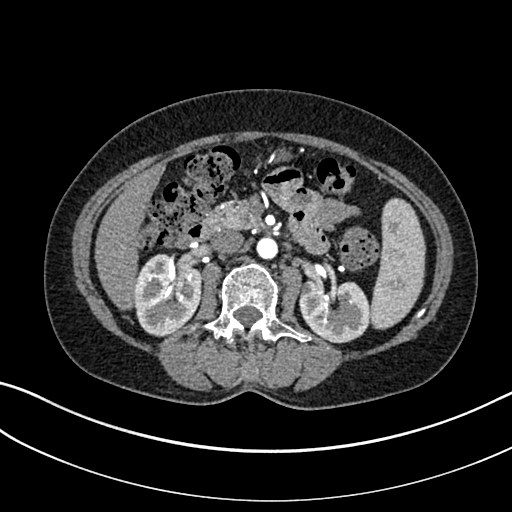
One axial slice (165 of 325, counting up from the lowest) of an arterial-phase abdominal CT acquired with 100 kVp, kernel I30f; each pixel is 0.703 mm and the slice is 1.00 mm thick.
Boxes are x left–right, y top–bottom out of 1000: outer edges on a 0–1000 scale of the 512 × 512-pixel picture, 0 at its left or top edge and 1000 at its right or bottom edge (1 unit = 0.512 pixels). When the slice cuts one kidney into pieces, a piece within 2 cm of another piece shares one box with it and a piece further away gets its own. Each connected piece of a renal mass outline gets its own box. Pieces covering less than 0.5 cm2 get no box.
Boxed on this slice (two kidney boxes), listed by box centre from the image's left to its right: (1) Box x 262–396, y 494–658 out of 1000: right kidney (outlined area 4,400 px, about 21.8 cm2). (2) Left kidney at x 584–723, y 545–672 out of 1000 (outlined area 3,598 px, about 17.8 cm2). This slice carries no renal mass outline.